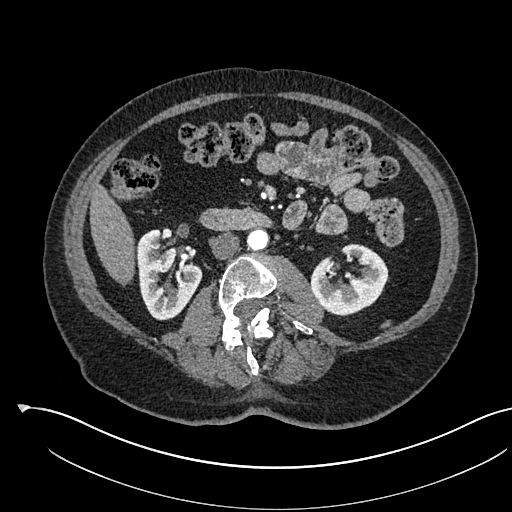
Arterial-phase contrast-enhanced abdominal CT, axial slice 287 of 541 (counted from the lowest slice); tube voltage 120 kVp, convolution kernel I30f; slices 1.00 mm thick, 0.834 mm per pixel.
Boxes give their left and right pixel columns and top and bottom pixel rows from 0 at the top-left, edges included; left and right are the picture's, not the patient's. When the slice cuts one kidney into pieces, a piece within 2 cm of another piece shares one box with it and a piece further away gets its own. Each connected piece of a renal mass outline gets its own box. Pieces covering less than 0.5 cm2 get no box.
Two boxes on this slice (two kidney boxes), listed by box centre from the image's left to its right. (1) Right kidney in the box with left 137, top 228, right 202, bottom 320 (outlined area 4,039 px, about 28.1 cm2). (2) Box with left 311, top 243, right 388, bottom 315: left kidney (outlined area 3,772 px, about 26.2 cm2). This slice carries no renal mass outline.